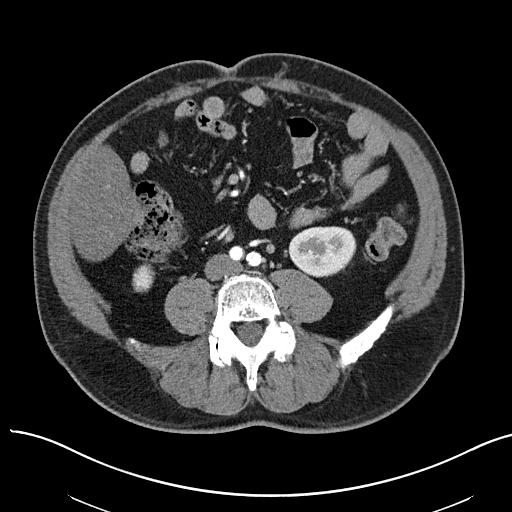
One axial slice (11 of 97, counting up from the lowest) of an arterial-phase abdominal CT acquired with 100 kVp, kernel I40f; each pixel is 0.797 mm and the slice is 3.00 mm thick.
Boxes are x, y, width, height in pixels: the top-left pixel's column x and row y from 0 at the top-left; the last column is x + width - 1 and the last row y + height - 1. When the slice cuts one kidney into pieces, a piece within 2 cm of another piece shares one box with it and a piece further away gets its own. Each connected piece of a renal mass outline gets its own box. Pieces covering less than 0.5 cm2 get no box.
Two kidney boxes on this slice; by box centre, from the image's left to its right: (1) Right kidney at x 132, y 263, width 24, height 30 (outlined area 519 px, about 3.3 cm2). (2) Box x 288, y 226, width 69, height 52: left kidney (outlined area 2,774 px, about 17.6 cm2). This slice carries no renal mass outline.